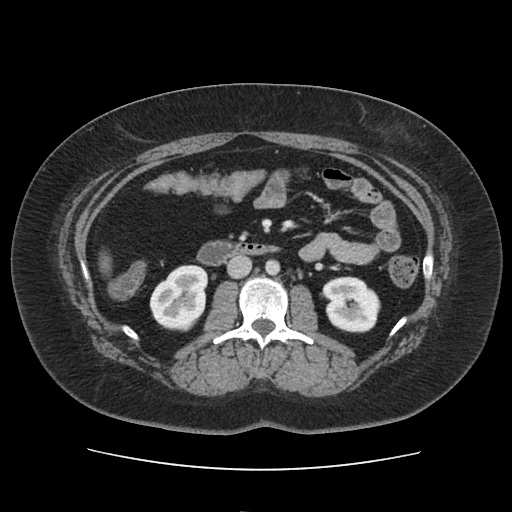
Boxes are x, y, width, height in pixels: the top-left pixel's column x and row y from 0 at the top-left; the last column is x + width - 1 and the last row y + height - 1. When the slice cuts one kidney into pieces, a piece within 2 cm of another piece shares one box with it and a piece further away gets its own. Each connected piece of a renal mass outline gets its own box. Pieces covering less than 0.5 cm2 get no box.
Slice 63/103 of a contrast-enhanced abdominal CT in the arterial phase, counting up from the lowest; pixel size 0.873 mm, slice thickness 5.00 mm. Boxed on this slice (two kidney boxes), listed by box centre from the image's left to its right: (1) Right kidney at x 149, y 265, width 60, height 67 (outlined area 2,988 px, about 22.8 cm2). (2) Left kidney at x 322, y 276, width 59, height 57 (outlined area 2,601 px, about 19.8 cm2). No renal mass is outlined on this slice.
Acquired at 120 kVp and reconstructed with the FC19 kernel.